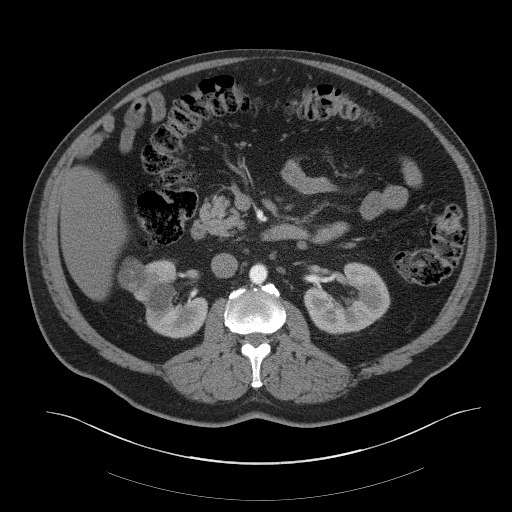
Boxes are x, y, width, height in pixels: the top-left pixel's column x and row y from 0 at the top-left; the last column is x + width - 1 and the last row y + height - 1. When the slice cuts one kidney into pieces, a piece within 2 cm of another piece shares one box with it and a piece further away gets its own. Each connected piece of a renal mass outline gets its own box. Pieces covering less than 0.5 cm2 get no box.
This is axial slice 26 of 61 (slice 1 is the lowest) of an abdominal CT with contrast; each pixel is 0.939 mm and the slice is 3.00 mm thick. Three boxes on this slice (two kidney boxes and one renal mass box), listed by box centre from the image's left to its right. (1) Box x 117, y 258, width 33, height 35: right renal mass (outlined area 805 px, about 7.1 cm2). (2) Box x 132, y 260, width 76, height 79: right kidney (outlined area 3,562 px, about 31.4 cm2). (3) Box x 303, y 262, width 88, height 73: left kidney (outlined area 4,232 px, about 37.4 cm2).
Scan settings: 140 kVp, B41f reconstruction kernel.